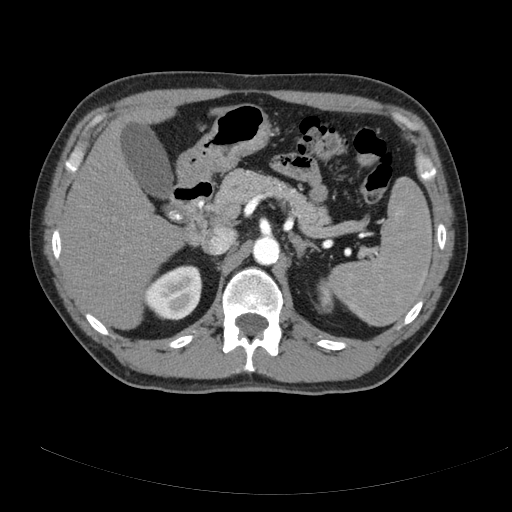
Axial slice 124 of 178 of a contrast-enhanced abdominal CT (slice 1 is the lowest), 120 kVp, kernel B; 3.00 mm slice thickness and 0.818 mm pixels.
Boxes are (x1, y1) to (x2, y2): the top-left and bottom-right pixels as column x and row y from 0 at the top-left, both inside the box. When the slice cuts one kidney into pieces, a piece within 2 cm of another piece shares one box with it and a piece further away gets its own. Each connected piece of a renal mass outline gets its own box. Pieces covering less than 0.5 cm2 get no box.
Two kidney boxes on this slice; by box centre, from the image's left to its right: (1) Box (144, 265) to (202, 320): right kidney (outlined area 2,448 px, about 16.4 cm2). (2) Left kidney from (317, 278) to (334, 312) (outlined area 476 px, about 3.2 cm2). No renal mass outline on this slice.